Arterial-phase contrast-enhanced abdominal CT, axial slice 433 of 719 (counted from the lowest slice); tube voltage 120 kVp, convolution kernel B20f; slices 1.00 mm thick, 0.766 mm per pixel.
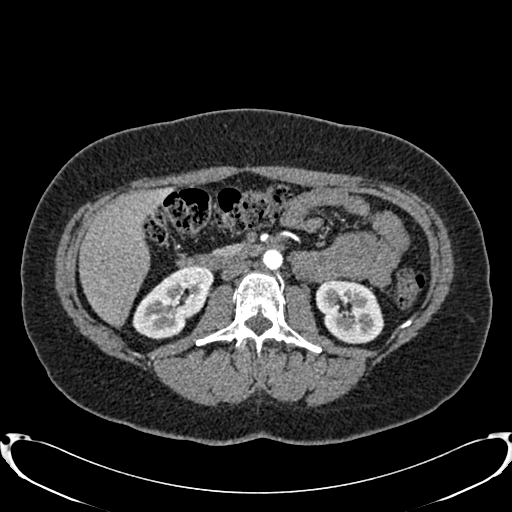
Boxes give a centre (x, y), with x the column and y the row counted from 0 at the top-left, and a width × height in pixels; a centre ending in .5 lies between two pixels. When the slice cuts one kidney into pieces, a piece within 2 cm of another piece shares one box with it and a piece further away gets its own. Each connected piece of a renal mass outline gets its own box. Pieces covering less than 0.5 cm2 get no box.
Boxed on this slice (two kidney boxes), listed by box centre from the image's left to its right: (1) Right kidney in a box with centre (172.5, 302.5), 82 × 74 pixels (outlined area 3,789 px, about 22.2 cm2). (2) Left kidney in a box with centre (349.5, 310), 70 × 65 pixels (outlined area 3,343 px, about 19.6 cm2). No renal mass outline on this slice.